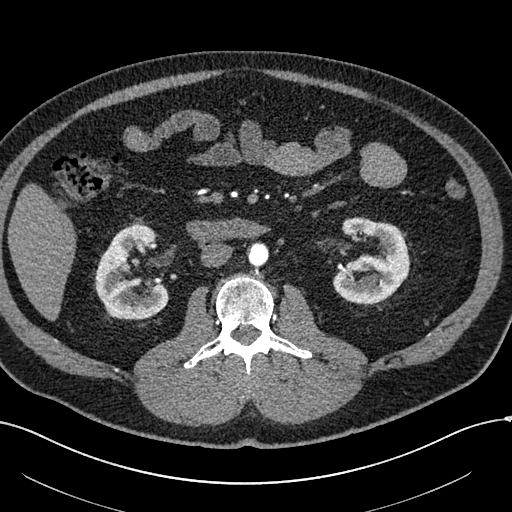
Axial slice 296 of 602 of a contrast-enhanced abdominal CT in the arterial phase (slice 1 is the lowest), 120 kVp, kernel I30f; 1.00 mm slice thickness and 0.799 mm pixels.
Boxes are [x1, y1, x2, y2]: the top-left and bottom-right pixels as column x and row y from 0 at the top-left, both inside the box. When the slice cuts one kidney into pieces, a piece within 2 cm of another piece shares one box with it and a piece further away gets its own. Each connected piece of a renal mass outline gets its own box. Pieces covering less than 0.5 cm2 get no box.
Two boxes on this slice (two kidney boxes), listed by box centre from the image's left to its right. (1) Right kidney, box [94, 220, 169, 320] (outlined area 4,922 px, about 31.4 cm2). (2) Left kidney at [333, 217, 409, 304] (outlined area 4,727 px, about 30.2 cm2). No renal mass is outlined on this slice.